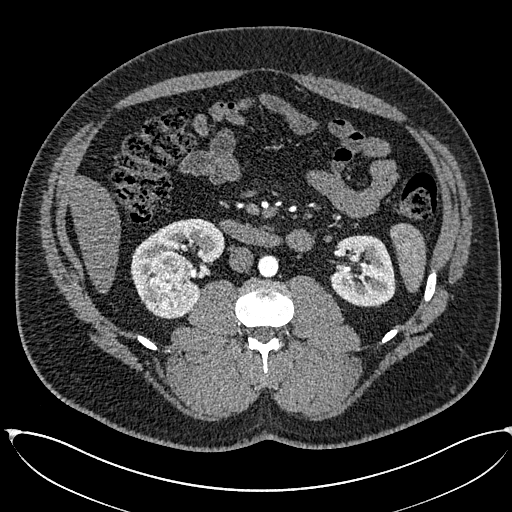
Arterial-phase contrast-enhanced abdominal CT, axial slice 313 of 673 (counted from the lowest slice); tube voltage 120 kVp, convolution kernel I30f; slices 1.00 mm thick, 0.855 mm per pixel.
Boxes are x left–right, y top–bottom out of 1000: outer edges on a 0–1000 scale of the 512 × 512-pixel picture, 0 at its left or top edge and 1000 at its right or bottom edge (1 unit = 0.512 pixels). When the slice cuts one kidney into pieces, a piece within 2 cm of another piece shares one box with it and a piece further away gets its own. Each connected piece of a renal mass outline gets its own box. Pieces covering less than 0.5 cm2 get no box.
Two kidney boxes and one renal mass box on this slice; by box centre, from the image's left to its right: (1) Right renal mass, box x 289–377, y 490–607 out of 1000 (outlined area 2,292 px, about 16.8 cm2). (2) Box x 254–441, y 426–625 out of 1000: right kidney (outlined area 4,224 px, about 30.9 cm2). (3) Left kidney, box x 643–773, y 459–600 out of 1000 (outlined area 3,775 px, about 27.6 cm2).